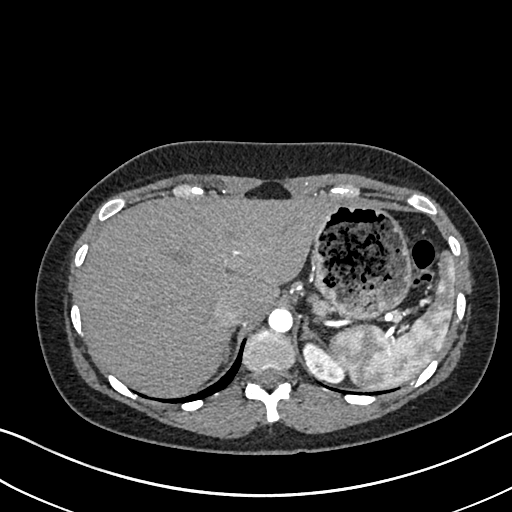
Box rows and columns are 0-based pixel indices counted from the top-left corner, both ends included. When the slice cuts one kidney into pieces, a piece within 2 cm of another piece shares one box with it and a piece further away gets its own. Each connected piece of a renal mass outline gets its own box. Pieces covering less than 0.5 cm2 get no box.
Slice 551/612 of a contrast-enhanced abdominal CT in the arterial phase, counting up from the lowest; pixel size 0.703 mm, slice thickness 1.00 mm. Box rows 342–382, columns 302–345: left kidney (outlined area 1,134 px, about 5.6 cm2). This slice carries no renal mass outline.
Acquired at 120 kVp and reconstructed with the I30f kernel.